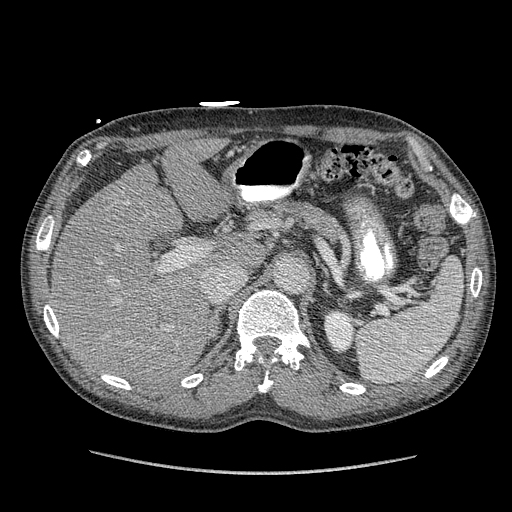
One axial slice (259 of 349, counting up from the lowest) of an arterial-phase abdominal CT acquired with 120 kVp, kernel STANDARD; each pixel is 0.742 mm and the slice is 1.25 mm thick.
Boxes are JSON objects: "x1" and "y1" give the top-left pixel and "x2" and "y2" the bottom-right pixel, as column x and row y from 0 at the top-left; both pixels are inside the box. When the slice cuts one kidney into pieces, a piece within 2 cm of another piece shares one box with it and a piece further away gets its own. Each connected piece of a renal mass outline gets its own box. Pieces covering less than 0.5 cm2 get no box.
Left kidney, box {"x1": 323, "y1": 309, "x2": 354, "y2": 353} (outlined area 1,137 px, about 6.3 cm2). No renal mass outline on this slice.